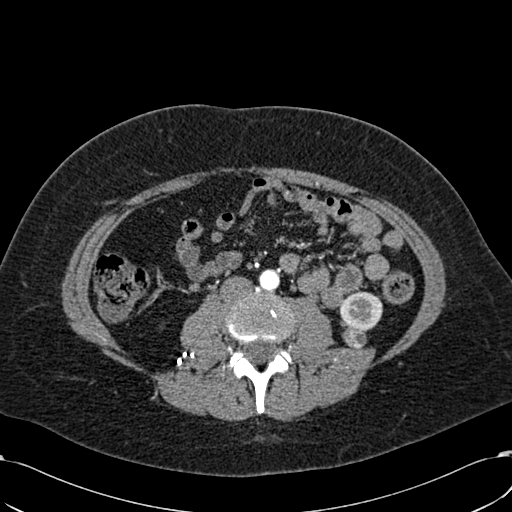
Arterial-phase contrast-enhanced abdominal CT, axial slice 263 of 532 (counted from the lowest slice); tube voltage 120 kVp, convolution kernel B30f; slices 1.00 mm thick, 0.713 mm per pixel.
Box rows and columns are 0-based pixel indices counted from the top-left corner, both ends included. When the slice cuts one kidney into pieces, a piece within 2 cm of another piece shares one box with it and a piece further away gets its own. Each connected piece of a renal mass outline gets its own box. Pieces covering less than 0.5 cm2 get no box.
Boxed on this slice (one kidney box and one renal mass box), listed by box centre from the image's left to its right: (1) Left renal mass at rows 326–348, columns 342–366 (outlined area 426 px, about 2.2 cm2). (2) Box rows 291–331, columns 339–382: left kidney (outlined area 1,368 px, about 7.0 cm2).